Abdominal CT with intravenous contrast, axial plane, 120 kVp, kernel FC18. Slice 66/91 from the bottom of the scan; thickness 5.00 mm; pixel size 0.766 mm.
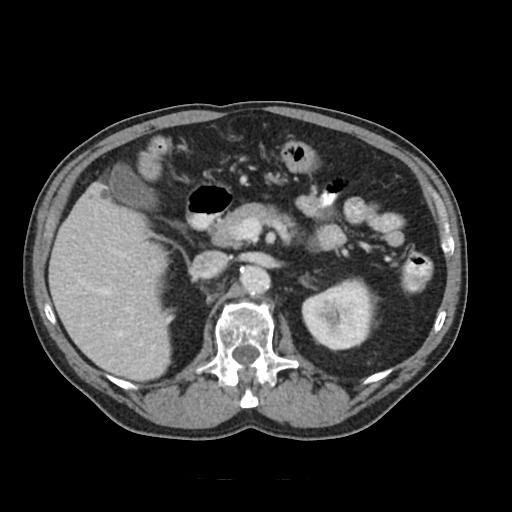
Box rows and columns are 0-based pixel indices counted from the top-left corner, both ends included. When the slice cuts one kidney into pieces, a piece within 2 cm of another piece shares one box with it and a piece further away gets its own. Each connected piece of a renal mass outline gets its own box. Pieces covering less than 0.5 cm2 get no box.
Box rows 277–350, columns 301–373: left kidney (outlined area 4,008 px, about 23.5 cm2). No renal mass outline on this slice.